Contrast-enhanced abdominal CT, axial slice 49 of 109 (counted from the lowest slice); tube voltage 120 kVp, convolution kernel I30f; slices 3.00 mm thick, 0.742 mm per pixel.
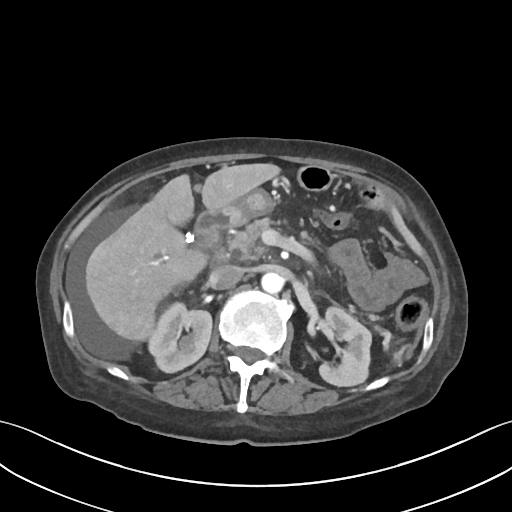
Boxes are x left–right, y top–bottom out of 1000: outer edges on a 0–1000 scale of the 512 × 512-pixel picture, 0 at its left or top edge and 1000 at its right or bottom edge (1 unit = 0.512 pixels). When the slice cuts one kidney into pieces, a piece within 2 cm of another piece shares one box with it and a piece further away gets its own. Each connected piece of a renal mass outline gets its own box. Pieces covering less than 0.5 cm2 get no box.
Two boxes on this slice (two kidney boxes), listed by box centre from the image's left to its right. (1) Box x 287–418, y 584–730 out of 1000: right kidney (outlined area 3,559 px, about 19.6 cm2). (2) Box x 619–729, y 598–758 out of 1000: left kidney (outlined area 3,312 px, about 18.2 cm2). No renal mass is outlined on this slice.